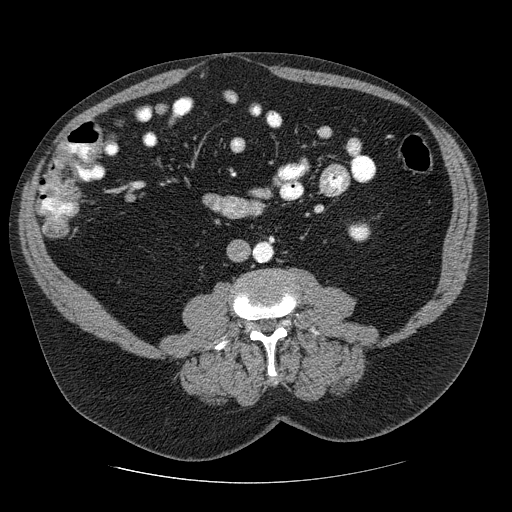
Abdominal CT with intravenous contrast, axial plane, 120 kVp, kernel STANDARD. Slice 107/206 from the bottom of the scan; thickness 2.50 mm; pixel size 0.879 mm.
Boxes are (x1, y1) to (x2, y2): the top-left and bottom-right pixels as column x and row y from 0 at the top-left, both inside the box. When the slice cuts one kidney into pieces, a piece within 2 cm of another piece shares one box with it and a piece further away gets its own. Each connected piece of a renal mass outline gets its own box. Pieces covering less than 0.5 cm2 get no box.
Box (347, 222) to (370, 241): left kidney (outlined area 370 px, about 2.9 cm2). No renal mass is outlined on this slice.